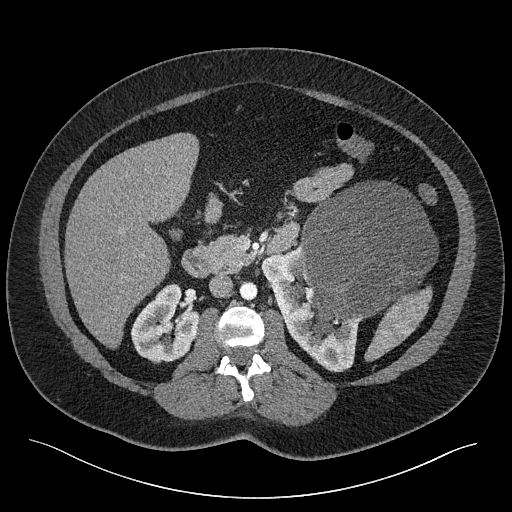
Contrast-enhanced abdominal CT, axial slice 134 of 301 (counted from the lowest slice); tube voltage 120 kVp, convolution kernel I40f; slices 2.00 mm thick, 0.859 mm per pixel.
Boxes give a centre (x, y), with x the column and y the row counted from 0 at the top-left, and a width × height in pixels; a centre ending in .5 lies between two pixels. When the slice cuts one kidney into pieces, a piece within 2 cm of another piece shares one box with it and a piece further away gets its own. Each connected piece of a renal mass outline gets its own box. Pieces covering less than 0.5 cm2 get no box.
Boxed on this slice (two kidney boxes and one renal mass box), listed by box centre from the image's left to its right: (1) Right kidney, box centre (165, 323), 69 × 81 pixels (outlined area 3,782 px, about 27.9 cm2). (2) Left kidney, box centre (311.5, 308.5), 102 × 128 pixels (outlined area 4,642 px, about 34.3 cm2). (3) Left renal mass, box centre (368, 257.5), 141 × 154 pixels (outlined area 15,254 px, about 112.7 cm2).